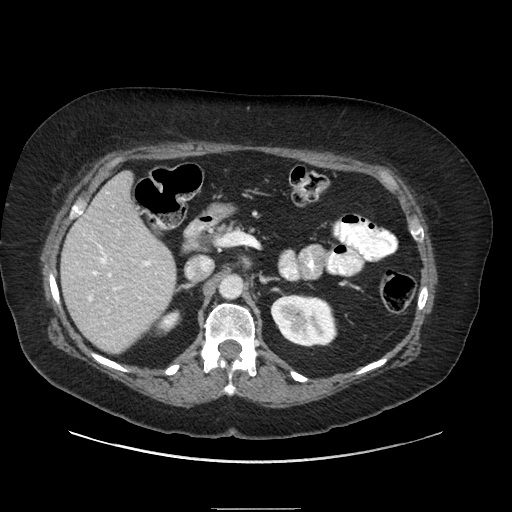
One axial slice (139 of 186, counting up from the lowest) of a contrast-enhanced abdominal CT acquired with 120 kVp, kernel STANDARD; each pixel is 0.850 mm and the slice is 2.50 mm thick.
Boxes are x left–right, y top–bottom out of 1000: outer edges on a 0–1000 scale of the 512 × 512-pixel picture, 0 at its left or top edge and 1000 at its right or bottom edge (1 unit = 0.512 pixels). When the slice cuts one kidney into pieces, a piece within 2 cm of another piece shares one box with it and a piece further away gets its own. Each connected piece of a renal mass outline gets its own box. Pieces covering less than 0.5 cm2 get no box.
Two kidney boxes on this slice; by box centre, from the image's left to its right: (1) Right kidney at x 297–355, y 604–656 out of 1000 (outlined area 473 px, about 3.4 cm2). (2) Box x 527–660, y 574–680 out of 1000: left kidney (outlined area 2,812 px, about 20.3 cm2). No renal mass is outlined on this slice.